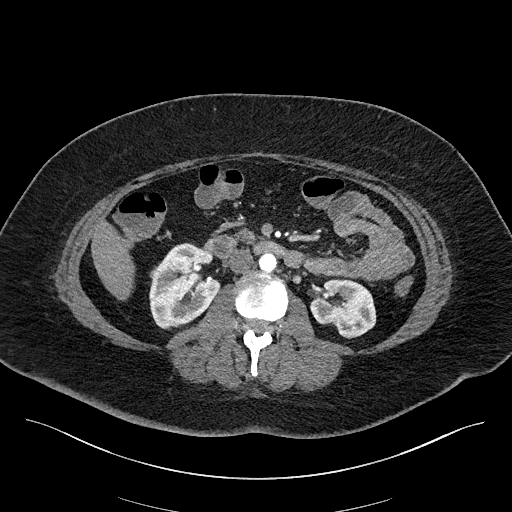
Abdominal CT with intravenous contrast, arterial phase, axial plane, 100 kVp, kernel I40f. Slice 93/270 from the bottom of the scan; thickness 2.00 mm; pixel size 0.855 mm.
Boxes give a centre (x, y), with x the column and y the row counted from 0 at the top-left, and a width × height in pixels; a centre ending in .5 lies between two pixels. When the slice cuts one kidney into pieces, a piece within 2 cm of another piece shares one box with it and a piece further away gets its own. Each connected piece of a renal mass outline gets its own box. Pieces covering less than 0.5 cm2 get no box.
Two boxes on this slice (two kidney boxes), listed by box centre from the image's left to its right. (1) Right kidney, box centre (184.5, 286), 72 × 87 pixels (outlined area 4,331 px, about 31.7 cm2). (2) Box centre (343, 308.5), 67 × 60 pixels: left kidney (outlined area 2,891 px, about 21.2 cm2).